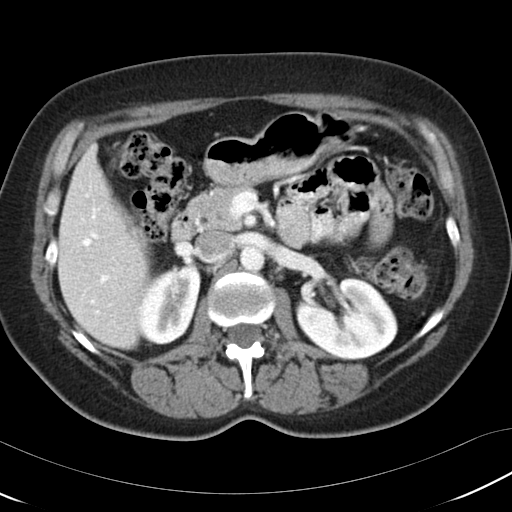
One axial slice (68 of 97, counting up from the lowest) of a contrast-enhanced abdominal CT acquired with 120 kVp, kernel B30f; each pixel is 0.664 mm and the slice is 5.00 mm thick.
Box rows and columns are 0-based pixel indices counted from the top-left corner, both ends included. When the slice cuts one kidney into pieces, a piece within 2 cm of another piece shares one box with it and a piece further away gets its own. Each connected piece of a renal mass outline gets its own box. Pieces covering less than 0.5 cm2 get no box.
Two boxes on this slice (two kidney boxes), listed by box centre from the image's left to its right. (1) Right kidney, box rows 264–344, columns 136–200 (outlined area 3,835 px, about 16.9 cm2). (2) Left kidney at rows 278–360, columns 295–397 (outlined area 6,068 px, about 26.8 cm2). No renal mass outline on this slice.